Arterial-phase contrast-enhanced abdominal CT, axial slice 56 of 270 (counted from the lowest slice); tube voltage 100 kVp, convolution kernel I40f; slices 2.00 mm thick, 0.855 mm per pixel.
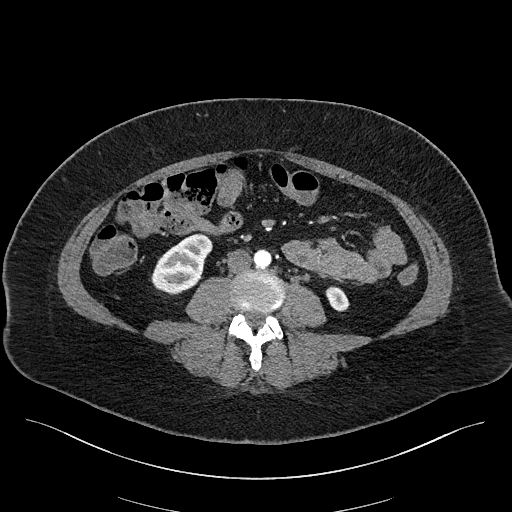
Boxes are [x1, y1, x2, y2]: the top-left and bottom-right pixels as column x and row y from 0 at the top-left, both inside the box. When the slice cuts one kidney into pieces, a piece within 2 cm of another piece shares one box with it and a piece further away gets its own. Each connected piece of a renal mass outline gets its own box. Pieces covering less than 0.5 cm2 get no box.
Two boxes on this slice (two kidney boxes), listed by box centre from the image's left to its right. (1) Box [151, 233, 212, 294]: right kidney (outlined area 2,460 px, about 18.0 cm2). (2) Left kidney at [325, 286, 349, 311] (outlined area 443 px, about 3.2 cm2). No renal mass is outlined on this slice.